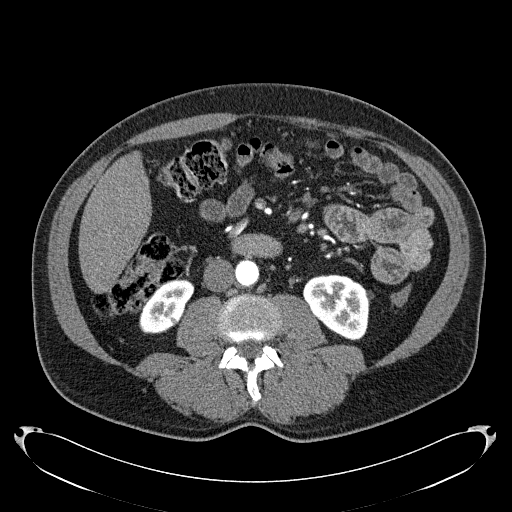
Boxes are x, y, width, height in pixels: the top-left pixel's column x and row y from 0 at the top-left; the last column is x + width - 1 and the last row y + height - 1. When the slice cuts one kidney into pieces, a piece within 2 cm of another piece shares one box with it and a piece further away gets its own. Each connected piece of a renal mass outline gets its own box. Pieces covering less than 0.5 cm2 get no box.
Slice 84/279 of a contrast-enhanced abdominal CT in the arterial phase, counting up from the lowest; pixel size 0.824 mm, slice thickness 2.00 mm. Two kidney boxes on this slice; by box centre, from the image's left to its right: (1) Box x 139, y 278, width 56, height 56: right kidney (outlined area 2,027 px, about 13.8 cm2). (2) Left kidney, box x 303, y 274, width 68, height 67 (outlined area 3,300 px, about 22.4 cm2). This slice carries no renal mass outline.
Scan settings: 120 kVp, B31f reconstruction kernel.